One axial slice (53 of 68, counting up from the lowest) of an arterial-phase abdominal CT acquired with 120 kVp, kernel B31f; each pixel is 0.961 mm and the slice is 5.00 mm thick.
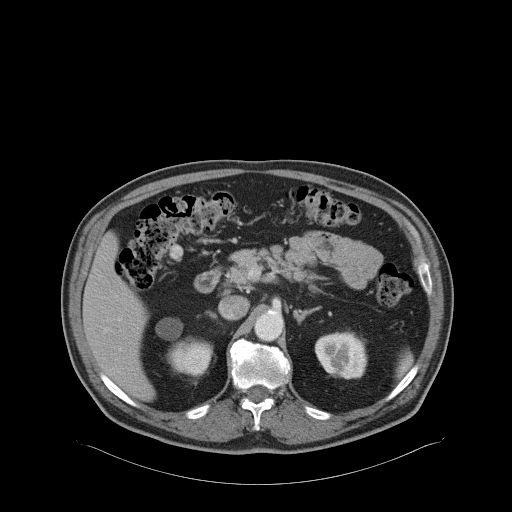
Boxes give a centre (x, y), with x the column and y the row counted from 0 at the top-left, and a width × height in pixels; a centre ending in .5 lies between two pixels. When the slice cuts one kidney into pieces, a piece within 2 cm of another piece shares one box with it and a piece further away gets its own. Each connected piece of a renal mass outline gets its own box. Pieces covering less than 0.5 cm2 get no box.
Boxed on this slice (two kidney boxes), listed by box centre from the image's left to its right: (1) Right kidney, box centre (184, 347), 57 × 59 pixels (outlined area 1,863 px, about 17.2 cm2). (2) Box centre (340.5, 354.5), 54 × 50 pixels: left kidney (outlined area 2,068 px, about 19.1 cm2). No renal mass is outlined on this slice.